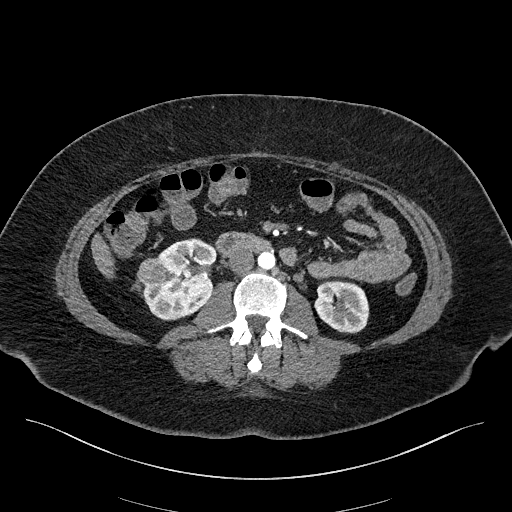
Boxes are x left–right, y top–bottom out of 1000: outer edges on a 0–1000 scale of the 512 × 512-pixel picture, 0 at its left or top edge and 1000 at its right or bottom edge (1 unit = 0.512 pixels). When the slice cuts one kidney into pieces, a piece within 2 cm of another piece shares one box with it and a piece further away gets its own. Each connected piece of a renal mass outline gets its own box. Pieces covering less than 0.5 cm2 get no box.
Slice 82/270 of a contrast-enhanced abdominal CT in the arterial phase, counting up from the lowest; pixel size 0.855 mm, slice thickness 2.00 mm. Two kidney boxes and one renal mass box on this slice; by box centre, from the image's left to its right: (1) Right renal mass, box x 266–326, y 504–559 out of 1000 (outlined area 670 px, about 4.9 cm2). (2) Right kidney at x 279–426, y 465–627 out of 1000 (outlined area 4,139 px, about 30.3 cm2). (3) Left kidney at x 613–723, y 547–652 out of 1000 (outlined area 2,329 px, about 17.0 cm2).
Acquired at 100 kVp and reconstructed with the I40f kernel.